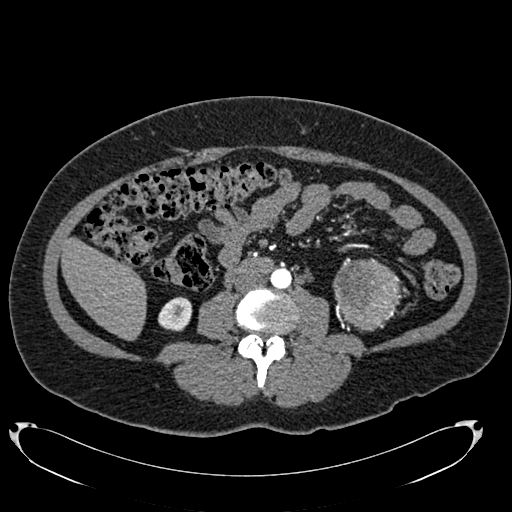
One axial slice (329 of 634, counting up from the lowest) of an arterial-phase abdominal CT acquired with 120 kVp, kernel B20f; each pixel is 0.838 mm and the slice is 1.00 mm thick.
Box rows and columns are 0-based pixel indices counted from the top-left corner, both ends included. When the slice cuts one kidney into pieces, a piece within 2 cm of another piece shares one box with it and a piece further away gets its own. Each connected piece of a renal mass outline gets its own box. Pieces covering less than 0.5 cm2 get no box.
Two boxes on this slice (one kidney box and one renal mass box), listed by box centre from the image's left to its right. (1) Right kidney, box rows 296–331, columns 158–192 (outlined area 920 px, about 6.5 cm2). (2) Left renal mass at rows 257–331, columns 333–403 (outlined area 3,898 px, about 27.4 cm2); here it is more than 1 cm from any kidney outline, though on another slice the same outlined renal mass lies within 1 cm of the kidney.